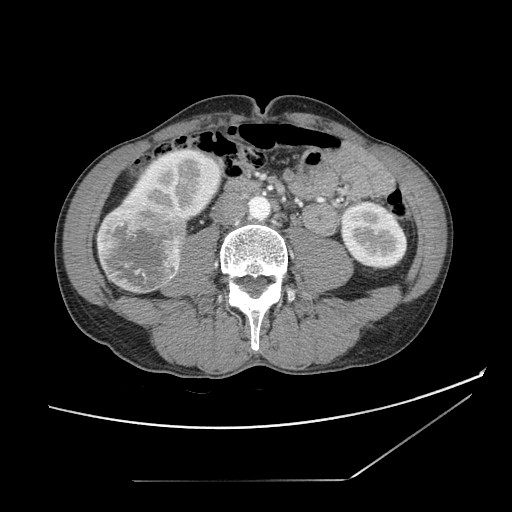
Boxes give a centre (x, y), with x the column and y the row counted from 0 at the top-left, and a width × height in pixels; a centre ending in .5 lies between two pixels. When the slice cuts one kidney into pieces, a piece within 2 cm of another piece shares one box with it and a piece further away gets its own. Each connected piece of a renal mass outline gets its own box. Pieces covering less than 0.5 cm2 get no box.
Contrast-enhanced abdominal CT, axial slice 42 of 121 (counted from the lowest slice); 2.50 mm thick, 0.742 mm per pixel. Three boxes on this slice (two kidney boxes and one renal mass box), listed by box centre from the image's left to its right. (1) Box centre (141.5, 249), 92 × 93 pixels: right renal mass (outlined area 6,723 px, about 37.0 cm2). (2) Right kidney, box centre (171.5, 185), 106 × 73 pixels (outlined area 4,709 px, about 25.9 cm2). (3) Left kidney in a box with centre (373.5, 235), 68 × 71 pixels (outlined area 3,623 px, about 20.0 cm2).
Acquired at 120 kVp and reconstructed with the STANDARD kernel.